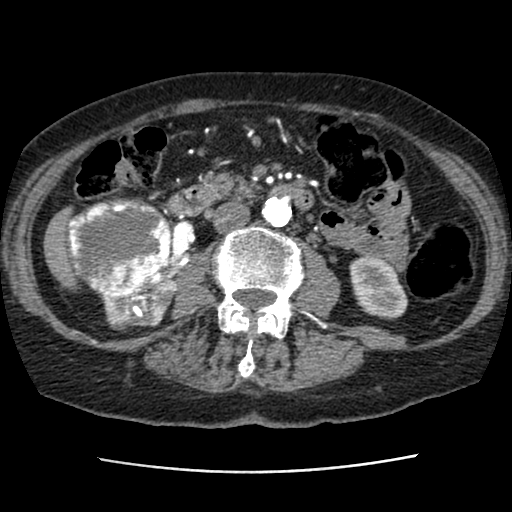
Contrast-enhanced abdominal CT, axial slice 37 of 76 (counted from the lowest slice); tube voltage 120 kVp, convolution kernel STANDARD; slices 2.50 mm thick, 0.586 mm per pixel.
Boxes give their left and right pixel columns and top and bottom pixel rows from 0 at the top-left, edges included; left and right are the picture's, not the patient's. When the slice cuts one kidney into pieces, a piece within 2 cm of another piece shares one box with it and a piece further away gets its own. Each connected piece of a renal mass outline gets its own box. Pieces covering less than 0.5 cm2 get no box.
Boxed on this slice (two kidney boxes and one renal mass box), listed by box centre from the image's left to its right: (1) Box with left 66, top 196, right 170, bottom 297: right renal mass (outlined area 8,125 px, about 27.9 cm2). (2) Box with left 99, top 267, right 176, bottom 327: right kidney (outlined area 2,517 px, about 8.6 cm2). (3) Left kidney in the box with left 349, top 256, right 407, bottom 319 (outlined area 2,772 px, about 9.5 cm2).